Abdominal CT with intravenous contrast, arterial phase, axial plane, 100 kVp, kernel I40f. Slice 22/97 from the bottom of the scan; thickness 3.00 mm; pixel size 0.797 mm.
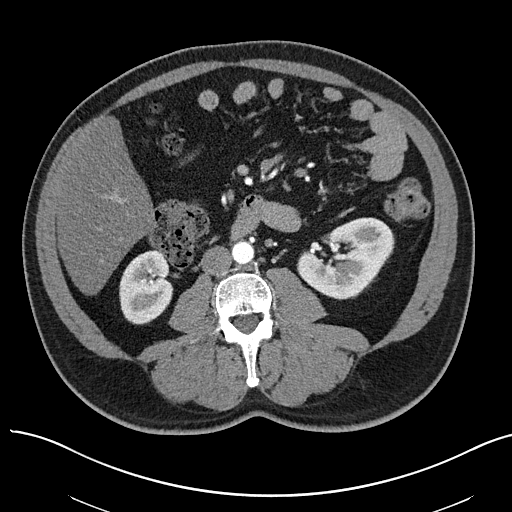
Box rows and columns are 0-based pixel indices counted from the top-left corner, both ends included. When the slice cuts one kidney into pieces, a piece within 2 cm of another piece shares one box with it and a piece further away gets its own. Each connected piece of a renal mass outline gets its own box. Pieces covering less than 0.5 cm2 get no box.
Boxed on this slice (two kidney boxes), listed by box centre from the image's left to its right: (1) Right kidney, box rows 249–324, columns 119–173 (outlined area 3,147 px, about 20.0 cm2). (2) Box rows 217–299, columns 297–394: left kidney (outlined area 5,331 px, about 33.9 cm2). No renal mass outline on this slice.